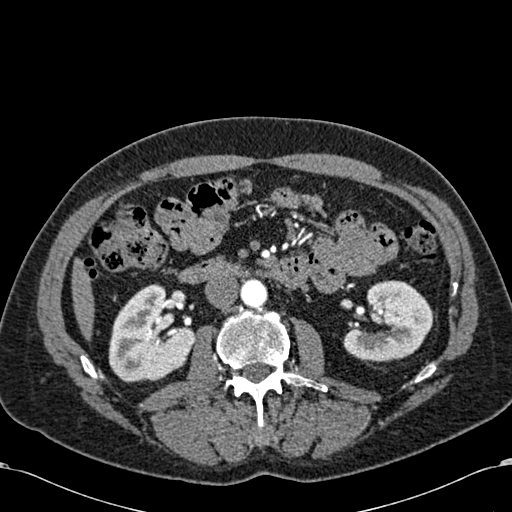
Arterial-phase contrast-enhanced abdominal CT, axial slice 331 of 581 (counted from the lowest slice); tube voltage 120 kVp, convolution kernel B30f; slices 1.00 mm thick, 0.713 mm per pixel.
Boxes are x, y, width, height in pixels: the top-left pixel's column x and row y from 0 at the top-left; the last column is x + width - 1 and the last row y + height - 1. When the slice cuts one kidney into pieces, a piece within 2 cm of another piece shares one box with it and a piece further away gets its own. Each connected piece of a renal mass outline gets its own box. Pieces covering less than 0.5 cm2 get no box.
Boxed on this slice (two kidney boxes), listed by box centre from the image's left to its right: (1) Box x 108, y 284, width 87, height 98: right kidney (outlined area 5,955 px, about 30.3 cm2). (2) Left kidney at x 343, y 280, width 91, height 83 (outlined area 5,104 px, about 25.9 cm2).